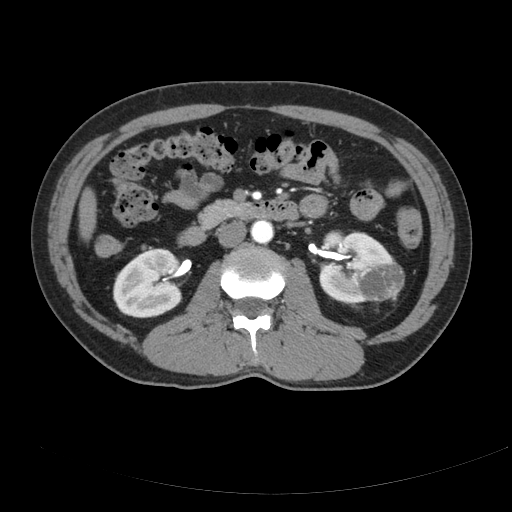
Abdominal CT with intravenous contrast, axial plane, 120 kVp, kernel B. Slice 105/178 from the bottom of the scan; thickness 3.00 mm; pixel size 0.818 mm.
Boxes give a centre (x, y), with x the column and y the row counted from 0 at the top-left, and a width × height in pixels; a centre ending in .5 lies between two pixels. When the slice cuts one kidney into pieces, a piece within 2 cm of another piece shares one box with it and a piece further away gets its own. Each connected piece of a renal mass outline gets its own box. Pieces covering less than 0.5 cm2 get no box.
Three boxes on this slice (two kidney boxes and one renal mass box), listed by box centre from the image's left to its right. (1) Right kidney in a box with centre (147.5, 283), 70 × 71 pixels (outlined area 3,849 px, about 25.8 cm2). (2) Box centre (356.5, 267), 76 × 75 pixels: left kidney (outlined area 3,520 px, about 23.6 cm2). (3) Left renal mass in a box with centre (381.5, 281.5), 46 × 42 pixels (outlined area 1,492 px, about 10.0 cm2).